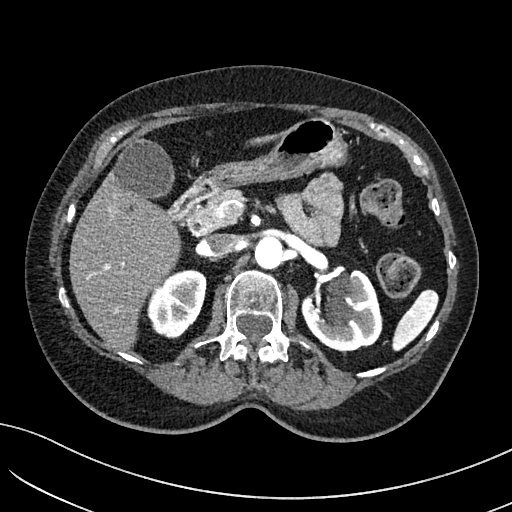
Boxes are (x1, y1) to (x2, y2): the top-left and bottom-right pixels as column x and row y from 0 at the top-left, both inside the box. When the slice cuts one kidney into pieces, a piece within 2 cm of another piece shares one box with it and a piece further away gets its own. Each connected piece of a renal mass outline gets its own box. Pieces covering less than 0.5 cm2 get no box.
This is axial slice 88 of 234 (slice 1 is the lowest) of an arterial-phase abdominal CT with contrast; each pixel is 0.699 mm and the slice is 2.00 mm thick. Two kidney boxes on this slice; by box centre, from the image's left to its right: (1) Box (147, 269) to (206, 338): right kidney (outlined area 2,970 px, about 14.5 cm2). (2) Left kidney, box (301, 270) to (382, 351) (outlined area 4,704 px, about 23.0 cm2). No renal mass is outlined on this slice.
Acquired at 100 kVp and reconstructed with the I40f kernel.